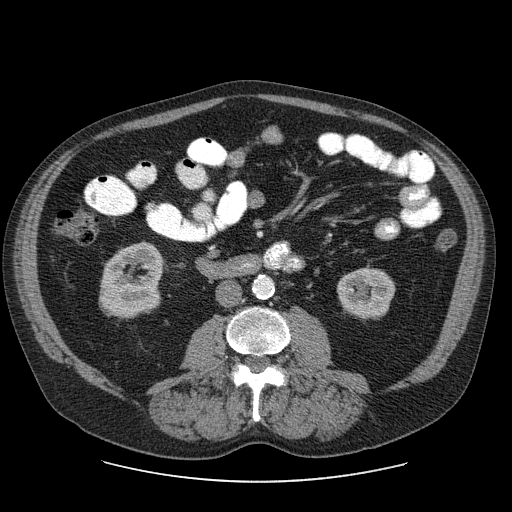
Axial slice 23 of 103 of a contrast-enhanced abdominal CT (slice 1 is the lowest), 120 kVp, kernel STANDARD; 2.50 mm slice thickness and 0.820 mm pixels.
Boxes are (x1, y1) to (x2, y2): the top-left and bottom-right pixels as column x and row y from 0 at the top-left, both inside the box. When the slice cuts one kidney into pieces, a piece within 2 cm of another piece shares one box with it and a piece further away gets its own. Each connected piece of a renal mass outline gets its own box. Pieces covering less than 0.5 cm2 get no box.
Two boxes on this slice (two kidney boxes), listed by box centre from the image's left to its right. (1) Right kidney from (99, 242) to (162, 319) (outlined area 3,844 px, about 25.9 cm2). (2) Left kidney from (337, 268) to (395, 317) (outlined area 2,343 px, about 15.8 cm2). No renal mass is outlined on this slice.